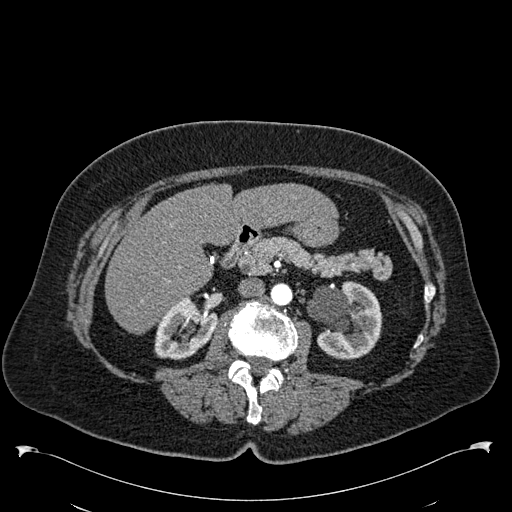
Arterial-phase contrast-enhanced abdominal CT, axial slice 331 of 538 (counted from the lowest slice); tube voltage 120 kVp, convolution kernel B30f; slices 1.00 mm thick, 0.811 mm per pixel.
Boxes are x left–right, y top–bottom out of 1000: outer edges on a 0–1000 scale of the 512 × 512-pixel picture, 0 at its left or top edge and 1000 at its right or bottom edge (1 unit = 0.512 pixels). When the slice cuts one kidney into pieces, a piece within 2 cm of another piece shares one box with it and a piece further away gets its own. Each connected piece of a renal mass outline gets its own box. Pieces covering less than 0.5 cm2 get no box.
Boxed on this slice (two kidney boxes), listed by box centre from the image's left to its right: (1) Right kidney, box x 301–426, y 588–703 out of 1000 (outlined area 2,639 px, about 17.3 cm2). (2) Box x 600–748, y 549–703 out of 1000: left kidney (outlined area 4,350 px, about 28.6 cm2). No renal mass outline on this slice.